Abdominal CT with intravenous contrast, arterial phase, axial plane, 120 kVp, kernel B20f. Slice 478/634 from the bottom of the scan; thickness 1.00 mm; pixel size 0.838 mm.
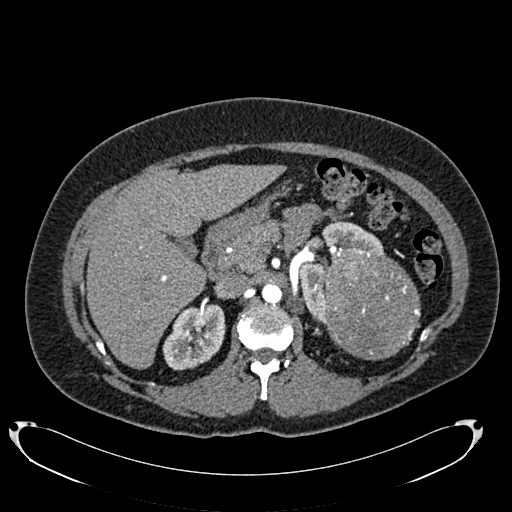
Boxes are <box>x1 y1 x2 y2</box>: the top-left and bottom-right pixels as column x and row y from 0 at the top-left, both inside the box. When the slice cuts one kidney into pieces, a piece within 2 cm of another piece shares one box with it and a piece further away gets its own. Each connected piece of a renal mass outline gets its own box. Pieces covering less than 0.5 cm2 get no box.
Three boxes on this slice (two kidney boxes and one renal mass box), listed by box centre from the image's left to its right. (1) Right kidney: <box>162 304 225 370</box> (outlined area 3,082 px, about 21.6 cm2). (2) Left kidney at <box>300 222 385 325</box> (outlined area 3,205 px, about 22.5 cm2). (3) Left renal mass: <box>324 253 420 360</box> (outlined area 8,417 px, about 59.1 cm2).